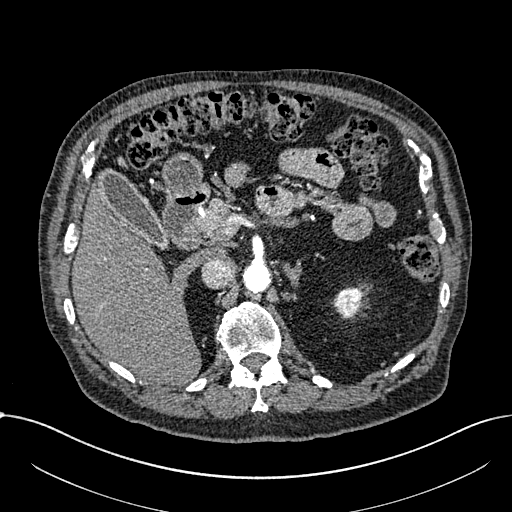
Axial slice 466 of 1059 of a contrast-enhanced abdominal CT in the arterial phase (slice 1 is the lowest), 100 kVp, kernel I30f; 1.00 mm slice thickness and 0.811 mm pixels.
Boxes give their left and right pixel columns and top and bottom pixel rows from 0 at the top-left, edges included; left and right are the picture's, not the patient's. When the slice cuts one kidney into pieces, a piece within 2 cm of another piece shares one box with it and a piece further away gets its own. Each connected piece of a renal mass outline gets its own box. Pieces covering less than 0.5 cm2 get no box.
Left part of the midline-crossing kidney in the box with left 332, top 287, right 362, bottom 319 (outlined area 702 px, about 4.6 cm2). No renal mass is outlined on this slice.